Arterial-phase contrast-enhanced abdominal CT, axial slice 120 of 274 (counted from the lowest slice); tube voltage 120 kVp, convolution kernel B30f; slices 2.00 mm thick, 0.809 mm per pixel.
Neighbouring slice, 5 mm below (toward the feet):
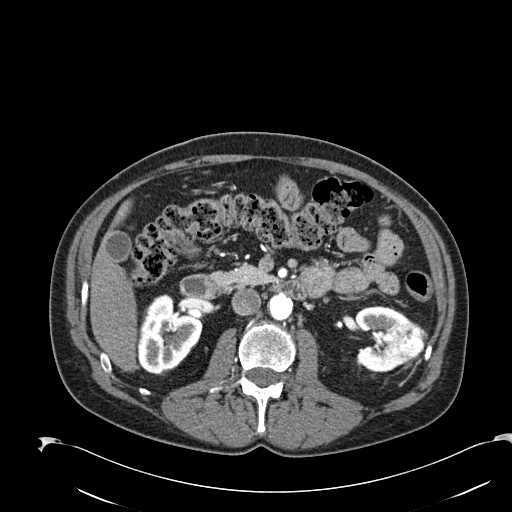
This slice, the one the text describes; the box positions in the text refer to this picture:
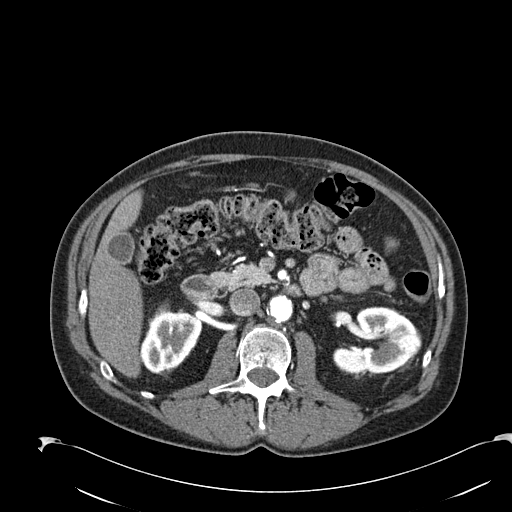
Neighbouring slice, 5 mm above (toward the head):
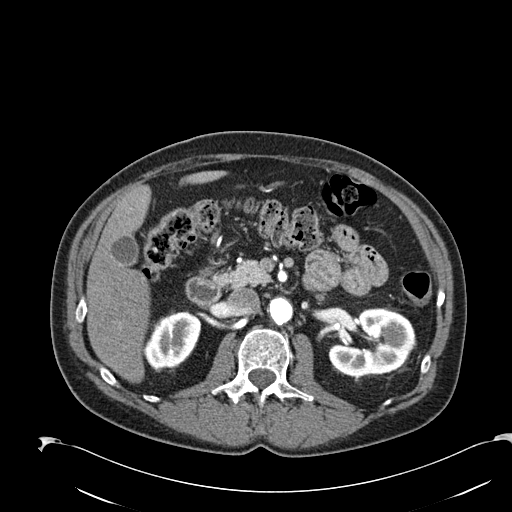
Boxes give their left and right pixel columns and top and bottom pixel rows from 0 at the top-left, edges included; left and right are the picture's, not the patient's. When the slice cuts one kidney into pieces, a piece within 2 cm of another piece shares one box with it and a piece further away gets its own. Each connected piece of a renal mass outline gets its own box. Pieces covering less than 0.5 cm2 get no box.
Two kidney boxes and one renal mass box on this slice; by box centre, from the image's left to its right: (1) Right kidney, the box with left 142, top 307, right 202, bottom 373 (outlined area 2,915 px, about 19.1 cm2). (2) Left kidney in the box with left 332, top 306, right 420, bottom 373 (outlined area 3,818 px, about 25.0 cm2). (3) Left renal mass, the box with left 397, top 334, right 421, bottom 354 (outlined area 391 px, about 2.6 cm2). This slice lies near the end of the left renal mass toward the head; the slices 5 mm below and 5 mm above it are shown too, and the boxes mark positions on this slice only.